One axial slice (482 of 787, counting up from the lowest) of a contrast-enhanced abdominal CT acquired with 140 kVp, kernel I30f; each pixel is 0.910 mm and the slice is 1.00 mm thick.
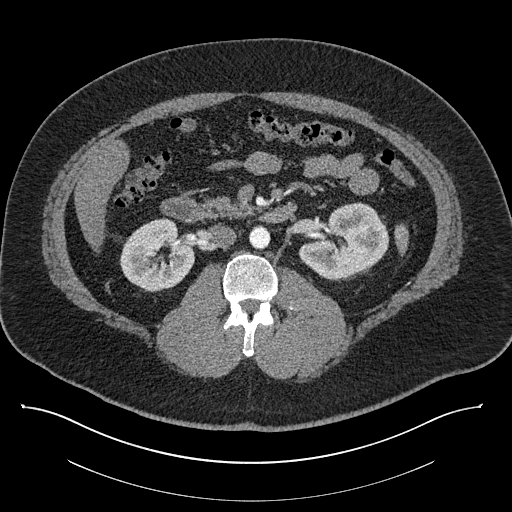
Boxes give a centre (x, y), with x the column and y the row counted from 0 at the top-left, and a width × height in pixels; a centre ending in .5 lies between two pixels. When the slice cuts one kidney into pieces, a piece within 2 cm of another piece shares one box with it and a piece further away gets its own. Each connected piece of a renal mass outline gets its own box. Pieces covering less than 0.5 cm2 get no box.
Two kidney boxes on this slice; by box centre, from the image's left to its right: (1) Right kidney in a box with centre (156, 254.5), 75 × 76 pixels (outlined area 4,017 px, about 33.3 cm2). (2) Left kidney, box centre (343.5, 240.5), 92 × 78 pixels (outlined area 4,877 px, about 40.4 cm2). No renal mass is outlined on this slice.